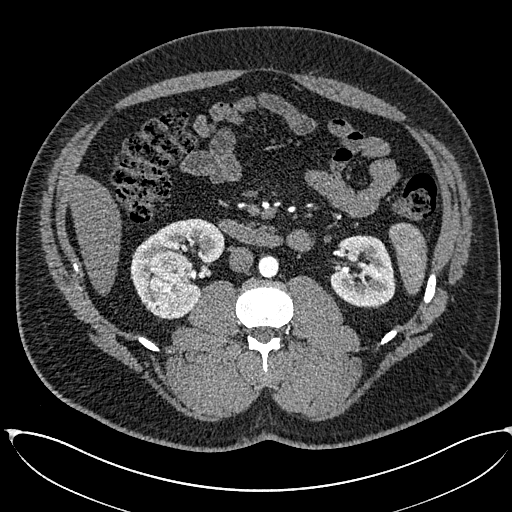
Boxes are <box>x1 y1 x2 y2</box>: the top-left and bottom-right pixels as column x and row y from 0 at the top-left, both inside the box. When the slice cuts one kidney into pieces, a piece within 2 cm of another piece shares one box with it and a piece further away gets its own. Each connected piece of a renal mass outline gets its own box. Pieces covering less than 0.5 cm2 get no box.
Slice 315/673 of a contrast-enhanced abdominal CT in the arterial phase, counting up from the lowest; pixel size 0.855 mm, slice thickness 1.00 mm. Three boxes on this slice (two kidney boxes and one renal mass box), listed by box centre from the image's left to its right. (1) Right renal mass at <box>148 252 192 311</box> (outlined area 2,295 px, about 16.8 cm2). (2) At <box>130 218 225 319</box>: right kidney (outlined area 4,238 px, about 31.0 cm2). (3) Left kidney: <box>329 235 395 308</box> (outlined area 3,753 px, about 27.5 cm2).
Tube voltage 120 kVp; convolution kernel I30f.